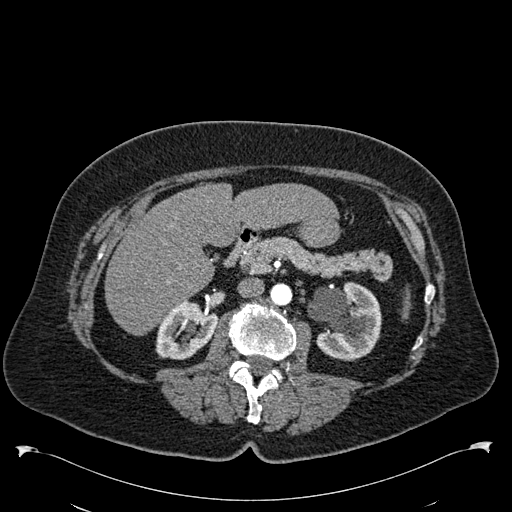
Abdominal CT with intravenous contrast, arterial phase, axial plane, 120 kVp, kernel B30f. Slice 334/538 from the bottom of the scan; thickness 1.00 mm; pixel size 0.811 mm.
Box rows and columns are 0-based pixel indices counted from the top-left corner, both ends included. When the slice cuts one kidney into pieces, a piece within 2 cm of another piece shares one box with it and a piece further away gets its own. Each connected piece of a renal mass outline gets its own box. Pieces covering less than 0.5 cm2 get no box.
Two boxes on this slice (two kidney boxes), listed by box centre from the image's left to its right. (1) Box rows 301–359, columns 155–218: right kidney (outlined area 2,527 px, about 16.6 cm2). (2) Left kidney at rows 282–360, columns 308–381 (outlined area 4,377 px, about 28.8 cm2). This slice carries no renal mass outline.